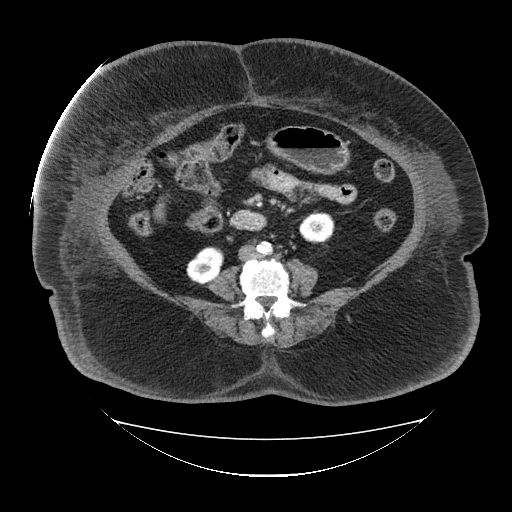
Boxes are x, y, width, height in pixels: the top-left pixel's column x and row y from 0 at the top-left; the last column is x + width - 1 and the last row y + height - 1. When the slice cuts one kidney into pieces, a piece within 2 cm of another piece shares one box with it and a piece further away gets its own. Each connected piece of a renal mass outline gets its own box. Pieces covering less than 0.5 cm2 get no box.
This is axial slice 47 of 85 (slice 1 is the lowest) of an arterial-phase abdominal CT with contrast; each pixel is 1.041 mm and the slice is 5.00 mm thick. Boxed on this slice (two kidney boxes), listed by box centre from the image's left to its right: (1) Box x 186, y 246, width 38, height 39: right kidney (outlined area 1,056 px, about 11.4 cm2). (2) Left kidney at x 299, y 210, width 36, height 35 (outlined area 926 px, about 10.0 cm2). This slice carries no renal mass outline.
Scan settings: 120 kVp, FC19 reconstruction kernel.